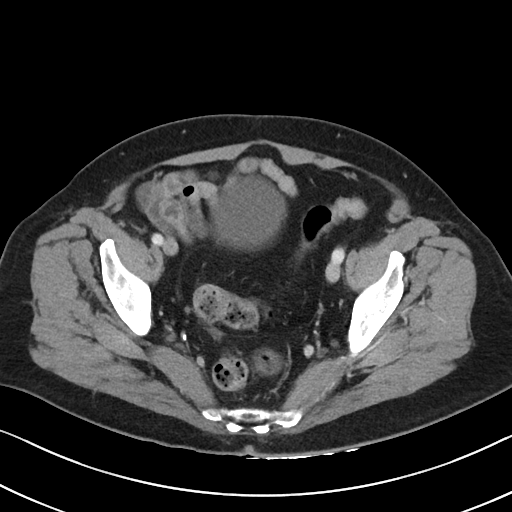
This is axial slice 22 of 88 (slice 1 is the lowest) of an abdominal CT with contrast; each pixel is 0.674 mm and the slice is 5.00 mm thick. Neither a kidney nor a renal mass is outlined here. Only kidneys and renal masses are outlined anywhere in this scan; other structures are never outlined.
Acquired at 100 kVp and reconstructed with the I40f kernel.